Arterial-phase contrast-enhanced abdominal CT, axial slice 294 of 620 (counted from the lowest slice); tube voltage 120 kVp, convolution kernel B31f; slices 2.00 mm thick, 0.637 mm per pixel.
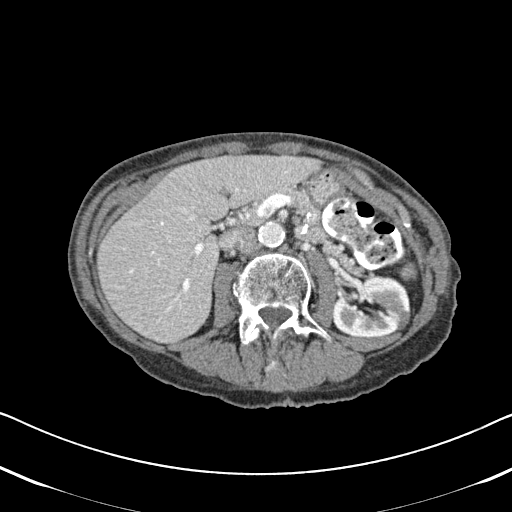
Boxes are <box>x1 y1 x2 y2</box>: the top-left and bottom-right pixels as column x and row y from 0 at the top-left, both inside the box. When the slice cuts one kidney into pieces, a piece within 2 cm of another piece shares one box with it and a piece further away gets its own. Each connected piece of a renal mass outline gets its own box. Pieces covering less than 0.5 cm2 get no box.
At <box>332 275 410 337</box>: left kidney (outlined area 3,809 px, about 15.4 cm2). This slice carries no renal mass outline.